Arterial-phase contrast-enhanced abdominal CT, axial slice 709 of 987 (counted from the lowest slice); tube voltage 120 kVp, convolution kernel I26f; slices 1.00 mm thick, 0.977 mm per pixel.
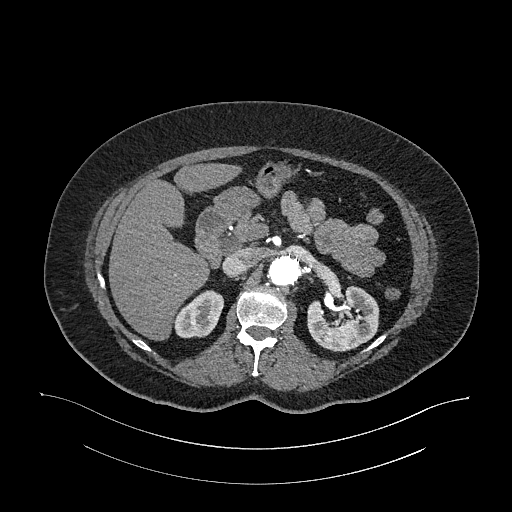
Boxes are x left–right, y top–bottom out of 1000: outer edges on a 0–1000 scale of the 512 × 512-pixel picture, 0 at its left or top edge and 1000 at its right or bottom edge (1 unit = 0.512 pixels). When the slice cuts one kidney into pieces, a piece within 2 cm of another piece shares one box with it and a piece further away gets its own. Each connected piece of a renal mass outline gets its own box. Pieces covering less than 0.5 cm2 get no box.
Boxed on this slice (two kidney boxes), listed by box centre from the image's left to its right: (1) Box x 340–438, y 566–662 out of 1000: right kidney (outlined area 1,702 px, about 16.2 cm2). (2) Box x 600–742, y 557–688 out of 1000: left kidney (outlined area 3,559 px, about 33.9 cm2). No renal mass outline on this slice.